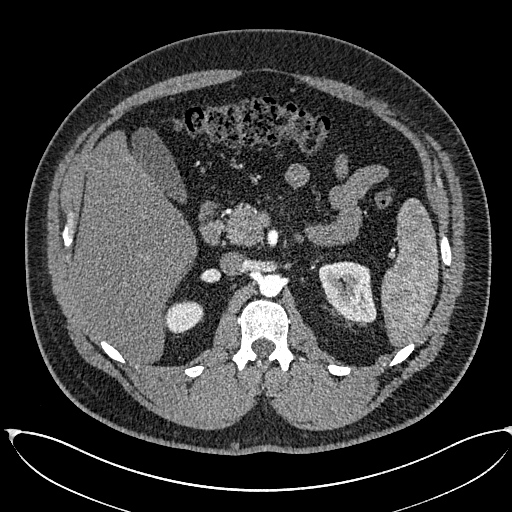
Arterial-phase contrast-enhanced abdominal CT, axial slice 401 of 673 (counted from the lowest slice); tube voltage 120 kVp, convolution kernel I30f; slices 1.00 mm thick, 0.855 mm per pixel.
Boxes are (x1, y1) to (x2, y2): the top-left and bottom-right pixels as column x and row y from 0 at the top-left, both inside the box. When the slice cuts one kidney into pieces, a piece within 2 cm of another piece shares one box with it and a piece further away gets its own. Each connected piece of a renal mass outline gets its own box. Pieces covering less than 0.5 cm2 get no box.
Two kidney boxes on this slice; by box centre, from the image's left to its right: (1) Right kidney from (164, 300) to (202, 333) (outlined area 997 px, about 7.3 cm2). (2) Left kidney from (318, 261) to (376, 322) (outlined area 2,657 px, about 19.4 cm2).